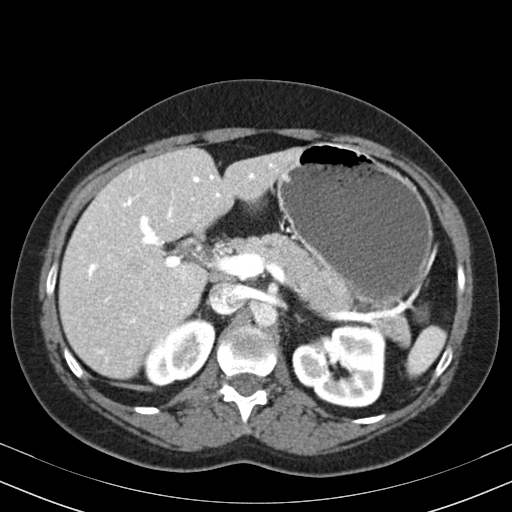
Arterial-phase contrast-enhanced abdominal CT, axial slice 125 of 164 (counted from the lowest slice); tube voltage 130 kVp, convolution kernel B30s; slices 3.00 mm thick, 0.664 mm per pixel.
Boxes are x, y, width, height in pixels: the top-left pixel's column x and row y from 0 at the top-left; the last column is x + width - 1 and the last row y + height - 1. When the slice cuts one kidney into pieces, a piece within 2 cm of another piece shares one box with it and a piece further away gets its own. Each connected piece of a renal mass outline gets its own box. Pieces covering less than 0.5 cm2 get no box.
Boxed on this slice (two kidney boxes), listed by box centre from the image's left to its right: (1) Right kidney, box x 144, y 317, width 72, height 69 (outlined area 3,386 px, about 14.9 cm2). (2) Box x 292, y 325, width 95, height 83: left kidney (outlined area 6,030 px, about 26.6 cm2). This slice carries no renal mass outline.